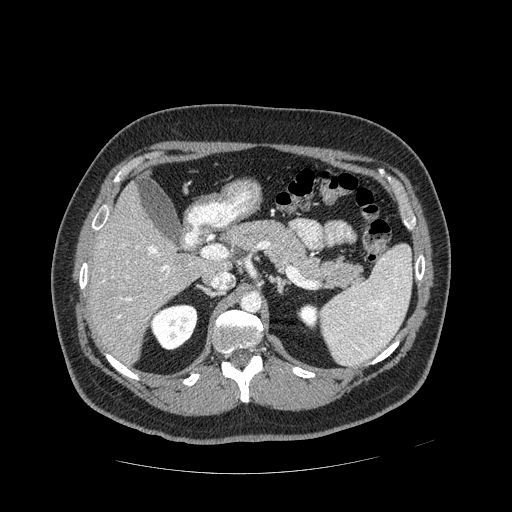
Abdominal CT with intravenous contrast, arterial phase, axial plane, 120 kVp, kernel STANDARD. Slice 287/389 from the bottom of the scan; thickness 1.25 mm; pixel size 0.869 mm.
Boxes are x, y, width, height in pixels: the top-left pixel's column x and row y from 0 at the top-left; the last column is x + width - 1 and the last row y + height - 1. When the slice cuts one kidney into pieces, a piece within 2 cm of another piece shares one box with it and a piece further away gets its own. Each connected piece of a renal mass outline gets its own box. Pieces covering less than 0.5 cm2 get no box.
Boxed on this slice (two kidney boxes), listed by box centre from the image's left to its right: (1) Right kidney, box x 150, y 304, width 49, height 47 (outlined area 1,685 px, about 12.7 cm2). (2) Box x 297, y 304, width 22, height 27: left kidney (outlined area 416 px, about 3.1 cm2). No renal mass outline on this slice.